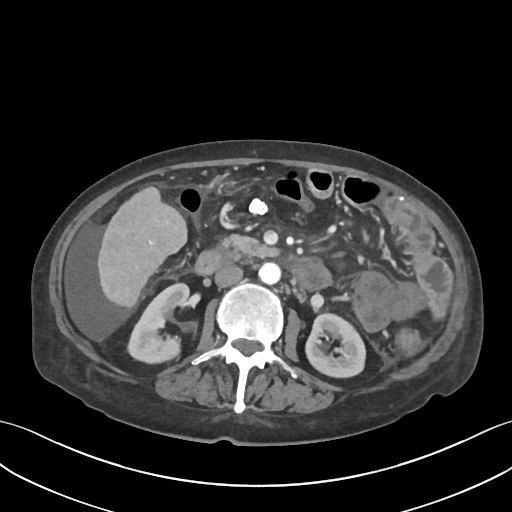
One axial slice (36 of 109, counting up from the lowest) of a contrast-enhanced abdominal CT acquired with 120 kVp, kernel I30f; each pixel is 0.742 mm and the slice is 3.00 mm thick.
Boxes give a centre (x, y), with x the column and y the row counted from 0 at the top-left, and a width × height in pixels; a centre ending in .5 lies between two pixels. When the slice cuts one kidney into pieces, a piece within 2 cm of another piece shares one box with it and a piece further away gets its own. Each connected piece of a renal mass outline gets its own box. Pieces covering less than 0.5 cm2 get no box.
Two boxes on this slice (two kidney boxes), listed by box centre from the image's left to its right. (1) Right kidney, box centre (158.5, 323.5), 66 × 82 pixels (outlined area 3,374 px, about 18.6 cm2). (2) Left kidney in a box with centre (335.5, 345.5), 62 × 66 pixels (outlined area 3,132 px, about 17.3 cm2). No renal mass outline on this slice.